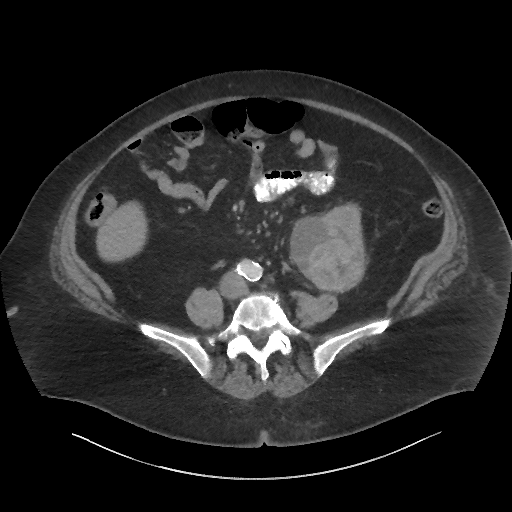
One axial slice (14 of 86, counting up from the lowest) of a contrast-enhanced abdominal CT acquired with 140 kVp, kernel I44f; each pixel is 0.977 mm and the slice is 3.00 mm thick.
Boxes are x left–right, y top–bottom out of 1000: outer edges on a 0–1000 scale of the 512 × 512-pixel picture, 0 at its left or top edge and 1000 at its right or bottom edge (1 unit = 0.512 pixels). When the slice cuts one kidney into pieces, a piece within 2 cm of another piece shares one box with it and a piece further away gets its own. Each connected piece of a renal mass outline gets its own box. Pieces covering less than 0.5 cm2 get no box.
Boxed on this slice (one kidney box and one renal mass box), listed by box centre from the image's left to its right: (1) Box x 564–697, y 418–564 out of 1000: left renal mass (outlined area 3,830 px, about 36.5 cm2). (2) Box x 623–721, y 398–568 out of 1000: left kidney (outlined area 1,405 px, about 13.4 cm2).